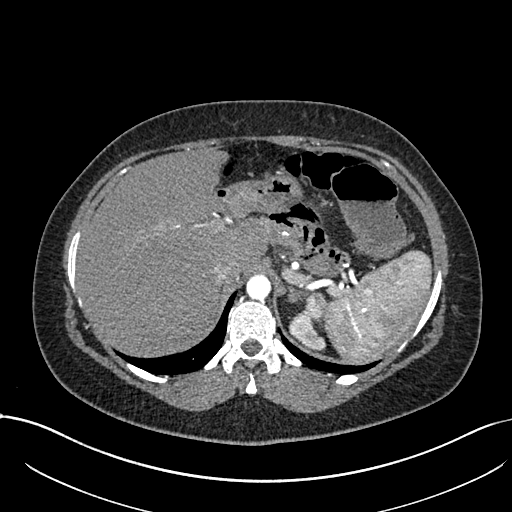
One axial slice (570 of 738, counting up from the lowest) of an arterial-phase abdominal CT acquired with 120 kVp, kernel I30f; each pixel is 0.789 mm and the slice is 1.00 mm thick.
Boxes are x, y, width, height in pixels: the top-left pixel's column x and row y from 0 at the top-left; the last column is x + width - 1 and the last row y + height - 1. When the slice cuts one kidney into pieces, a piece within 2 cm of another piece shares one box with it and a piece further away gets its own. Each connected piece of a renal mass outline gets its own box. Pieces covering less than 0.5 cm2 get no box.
One kidney box and one renal mass box on this slice; by box centre, from the image's left to its right: (1) Left kidney, box x 289, y 312, width 38, height 40 (outlined area 756 px, about 4.7 cm2). (2) Box x 301, y 291, width 26, height 37: left renal mass (outlined area 634 px, about 3.9 cm2).